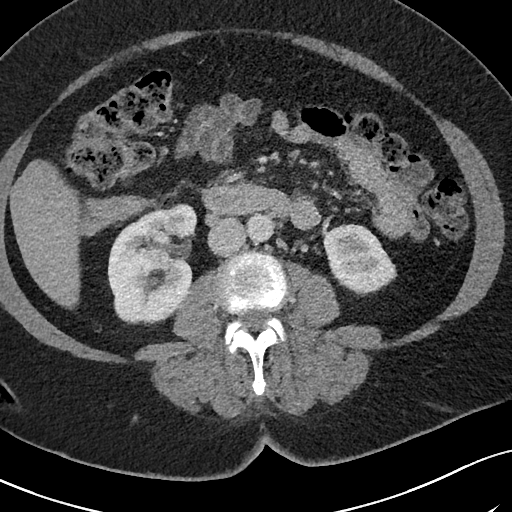
Arterial-phase contrast-enhanced abdominal CT, axial slice 34 of 69 (counted from the lowest slice); tube voltage 120 kVp, convolution kernel I40f; slices 3.00 mm thick, 0.664 mm per pixel.
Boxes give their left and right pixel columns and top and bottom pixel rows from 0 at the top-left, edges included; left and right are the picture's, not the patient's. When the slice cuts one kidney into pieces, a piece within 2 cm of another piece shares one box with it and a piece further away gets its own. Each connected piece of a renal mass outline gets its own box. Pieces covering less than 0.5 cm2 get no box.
Two kidney boxes on this slice; by box centre, from the image's left to its right: (1) Right kidney, the box with left 107, top 203, right 196, bottom 325 (outlined area 8,302 px, about 36.6 cm2). (2) Left kidney, the box with left 323, top 224, right 397, bottom 296 (outlined area 3,698 px, about 16.3 cm2). This slice carries no renal mass outline.